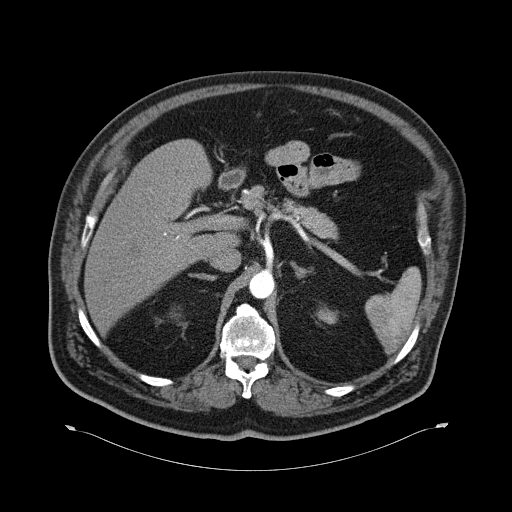
One axial slice (45 of 70, counting up from the lowest) of an arterial-phase abdominal CT acquired with 120 kVp, kernel B30f; each pixel is 0.977 mm and the slice is 5.00 mm thick.
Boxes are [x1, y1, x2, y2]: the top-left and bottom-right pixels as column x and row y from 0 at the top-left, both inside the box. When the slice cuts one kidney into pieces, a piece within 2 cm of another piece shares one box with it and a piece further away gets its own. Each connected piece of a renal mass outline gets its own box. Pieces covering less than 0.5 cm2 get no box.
Left kidney, box [316, 307, 337, 324] (outlined area 265 px, about 2.5 cm2). This slice carries no renal mass outline.